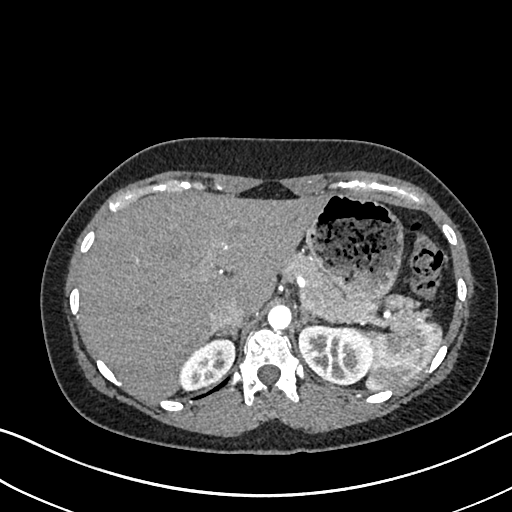
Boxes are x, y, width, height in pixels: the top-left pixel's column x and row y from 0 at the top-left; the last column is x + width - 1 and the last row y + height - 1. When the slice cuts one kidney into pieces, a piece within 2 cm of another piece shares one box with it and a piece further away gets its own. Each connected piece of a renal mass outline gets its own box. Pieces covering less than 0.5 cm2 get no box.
Slice 528/612 of a contrast-enhanced abdominal CT in the arterial phase, counting up from the lowest; pixel size 0.703 mm, slice thickness 1.00 mm. Boxed on this slice (two kidney boxes), listed by box centre from the image's left to its right: (1) Right kidney at x 178, y 336, width 58, height 55 (outlined area 2,019 px, about 10.0 cm2). (2) Left kidney, box x 298, y 323, width 76, height 63 (outlined area 3,652 px, about 18.1 cm2). No renal mass is outlined on this slice.
Tube voltage 120 kVp; convolution kernel I30f.